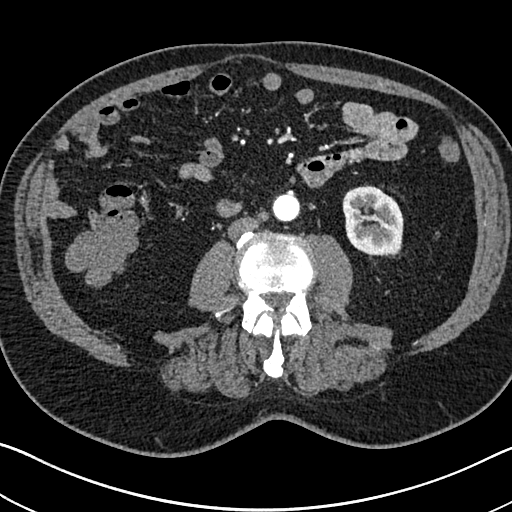
Axial slice 316 of 705 of a contrast-enhanced abdominal CT in the arterial phase (slice 1 is the lowest), 120 kVp, kernel I30f; 1.00 mm slice thickness and 0.703 mm pixels.
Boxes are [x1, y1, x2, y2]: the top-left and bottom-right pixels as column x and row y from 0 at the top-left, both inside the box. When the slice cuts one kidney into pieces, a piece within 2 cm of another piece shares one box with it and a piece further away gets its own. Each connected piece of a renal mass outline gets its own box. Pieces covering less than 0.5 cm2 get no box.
Left kidney at [342, 184, 403, 256] (outlined area 3,535 px, about 17.5 cm2). This slice carries no renal mass outline.